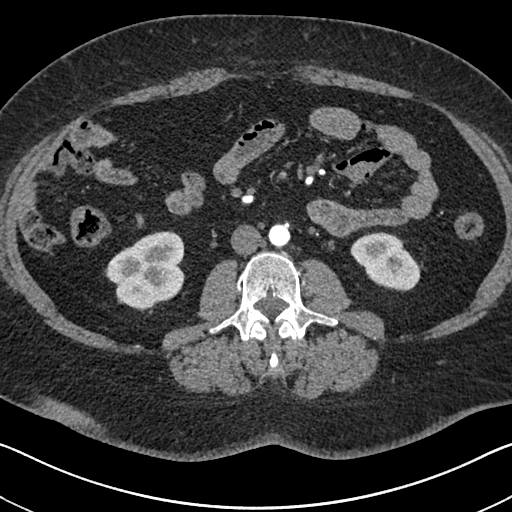
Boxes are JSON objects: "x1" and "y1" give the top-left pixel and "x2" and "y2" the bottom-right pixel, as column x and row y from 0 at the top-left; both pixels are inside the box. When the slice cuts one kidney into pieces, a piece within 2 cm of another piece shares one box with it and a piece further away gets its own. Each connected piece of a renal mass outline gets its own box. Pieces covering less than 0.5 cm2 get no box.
Slice 317/591 of a contrast-enhanced abdominal CT in the arterial phase, counting up from the lowest; pixel size 0.703 mm, slice thickness 1.00 mm. Boxed on this slice (two kidney boxes), listed by box centre from the image's left to its right: (1) Box {"x1": 105, "y1": 231, "x2": 184, "y2": 311}: right kidney (outlined area 4,593 px, about 22.7 cm2). (2) Box {"x1": 350, "y1": 232, "x2": 421, "y2": 291}: left kidney (outlined area 2,873 px, about 14.2 cm2). This slice carries no renal mass outline.
Acquired at 140 kVp and reconstructed with the I30f kernel.